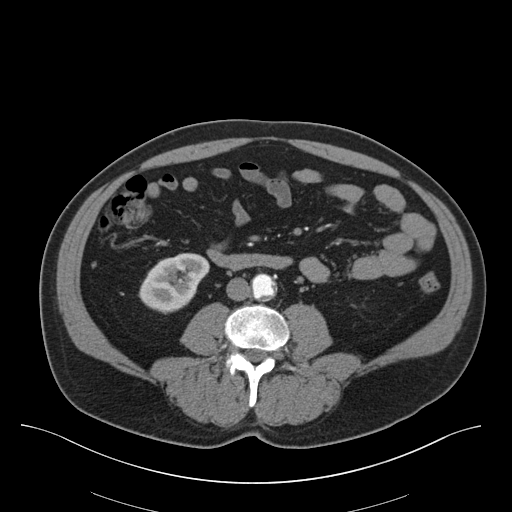
Abdominal CT with intravenous contrast, axial plane, 140 kVp, kernel B30f. Slice 14/75 from the bottom of the scan; thickness 3.00 mm; pixel size 0.875 mm.
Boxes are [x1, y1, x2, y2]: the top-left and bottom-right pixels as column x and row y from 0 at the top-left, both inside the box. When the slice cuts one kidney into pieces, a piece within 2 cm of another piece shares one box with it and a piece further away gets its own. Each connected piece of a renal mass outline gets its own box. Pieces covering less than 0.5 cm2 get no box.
Box [138, 253, 209, 313]: right kidney (outlined area 2,948 px, about 22.6 cm2). This slice carries no renal mass outline.